One axial slice (24 of 50, counting up from the lowest) of a contrast-enhanced abdominal CT acquired with 100 kVp, kernel I40f; each pixel is 0.723 mm and the slice is 5.00 mm thick.
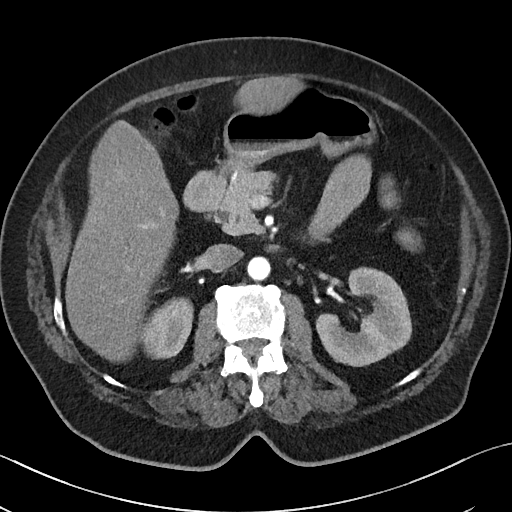
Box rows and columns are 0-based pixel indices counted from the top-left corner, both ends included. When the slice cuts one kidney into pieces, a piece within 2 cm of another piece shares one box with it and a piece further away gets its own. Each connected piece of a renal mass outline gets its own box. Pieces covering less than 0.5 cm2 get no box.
Boxed on this slice (two kidney boxes), listed by box centre from the image's left to its right: (1) Right kidney at rows 297–359, columns 141–193 (outlined area 2,446 px, about 12.8 cm2). (2) Left kidney, box rows 267–366, columns 316–412 (outlined area 5,839 px, about 30.5 cm2). No renal mass outline on this slice.